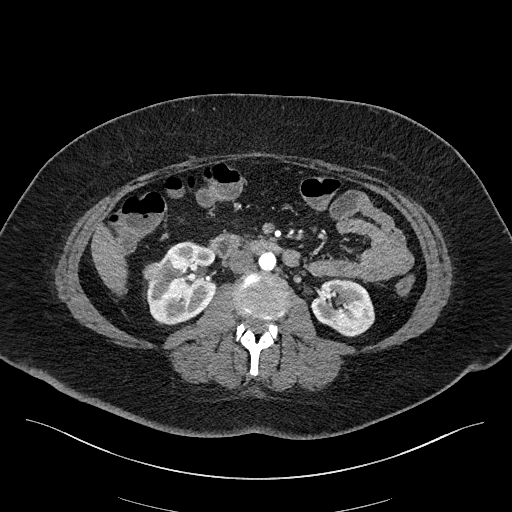
Arterial-phase contrast-enhanced abdominal CT, axial slice 89 of 270 (counted from the lowest slice); tube voltage 100 kVp, convolution kernel I40f; slices 2.00 mm thick, 0.855 mm per pixel.
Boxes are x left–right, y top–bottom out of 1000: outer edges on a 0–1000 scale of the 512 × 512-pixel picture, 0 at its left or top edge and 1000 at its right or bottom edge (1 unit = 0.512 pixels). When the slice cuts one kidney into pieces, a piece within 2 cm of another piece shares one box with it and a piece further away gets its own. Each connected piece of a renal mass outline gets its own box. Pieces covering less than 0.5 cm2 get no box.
Three boxes on this slice (two kidney boxes and one renal mass box), listed by box centre from the image's left to its right. (1) Box x 279–322, y 512–555 out of 1000: right renal mass (outlined area 362 px, about 2.6 cm2). (2) Box x 285–426, y 471–637 out of 1000: right kidney (outlined area 4,262 px, about 31.2 cm2). (3) Box x 605–732, y 543–658 out of 1000: left kidney (outlined area 2,761 px, about 20.2 cm2).